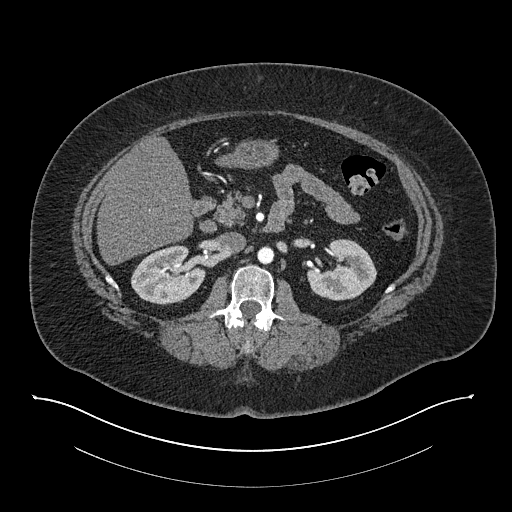
Arterial-phase contrast-enhanced abdominal CT, axial slice 471 of 673 (counted from the lowest slice); tube voltage 140 kVp, convolution kernel I30f; slices 1.00 mm thick, 0.957 mm per pixel.
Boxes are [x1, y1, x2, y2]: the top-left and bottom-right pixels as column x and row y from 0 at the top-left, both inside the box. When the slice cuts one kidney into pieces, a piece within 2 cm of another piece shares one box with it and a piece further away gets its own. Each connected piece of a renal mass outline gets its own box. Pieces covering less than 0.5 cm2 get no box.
Two boxes on this slice (two kidney boxes), listed by box centre from the image's left to its right. (1) Right kidney at [131, 245, 206, 304] (outlined area 3,282 px, about 30.1 cm2). (2) Box [307, 239, 376, 300]: left kidney (outlined area 3,016 px, about 27.6 cm2). No renal mass is outlined on this slice.